Axial slice 314 of 738 of a contrast-enhanced abdominal CT in the arterial phase (slice 1 is the lowest), 120 kVp, kernel I30f; 1.00 mm slice thickness and 0.789 mm pixels.
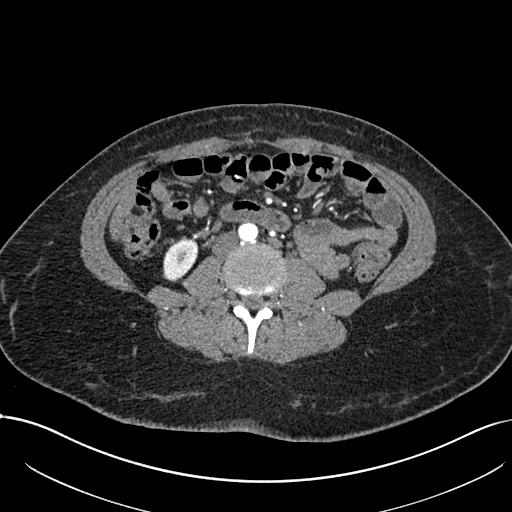
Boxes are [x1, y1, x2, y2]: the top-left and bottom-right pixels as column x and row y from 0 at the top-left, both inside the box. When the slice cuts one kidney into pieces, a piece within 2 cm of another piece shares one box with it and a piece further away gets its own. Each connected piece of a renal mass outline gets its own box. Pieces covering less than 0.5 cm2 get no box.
Right kidney, box [162, 237, 198, 281] (outlined area 1,150 px, about 7.2 cm2). No renal mass is outlined on this slice.